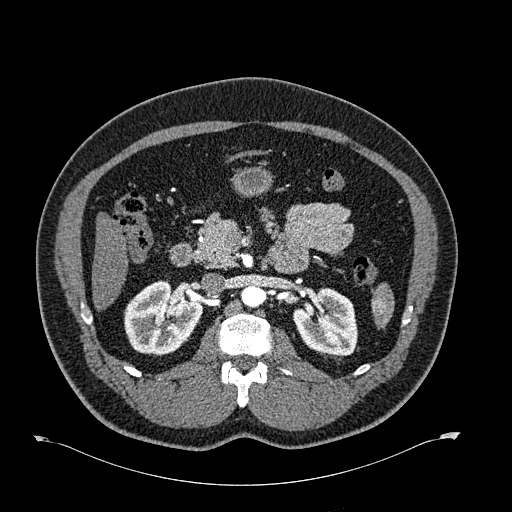
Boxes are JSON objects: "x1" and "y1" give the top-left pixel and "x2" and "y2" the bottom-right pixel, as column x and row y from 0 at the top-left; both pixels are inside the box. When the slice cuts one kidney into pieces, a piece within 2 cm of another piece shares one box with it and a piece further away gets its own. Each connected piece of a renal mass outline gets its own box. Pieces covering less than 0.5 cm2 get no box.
This is axial slice 395 of 723 (slice 1 is the lowest) of an arterial-phase abdominal CT with contrast; each pixel is 0.895 mm and the slice is 1.00 mm thick. Two boxes on this slice (two kidney boxes), listed by box centre from the image's left to its right. (1) Box {"x1": 124, "y1": 280, "x2": 202, "y2": 355}: right kidney (outlined area 4,351 px, about 34.8 cm2). (2) Left kidney, box {"x1": 293, "y1": 287, "x2": 357, "y2": 357} (outlined area 3,348 px, about 26.8 cm2). This slice carries no renal mass outline.
Acquired at 120 kVp and reconstructed with the B30f kernel.